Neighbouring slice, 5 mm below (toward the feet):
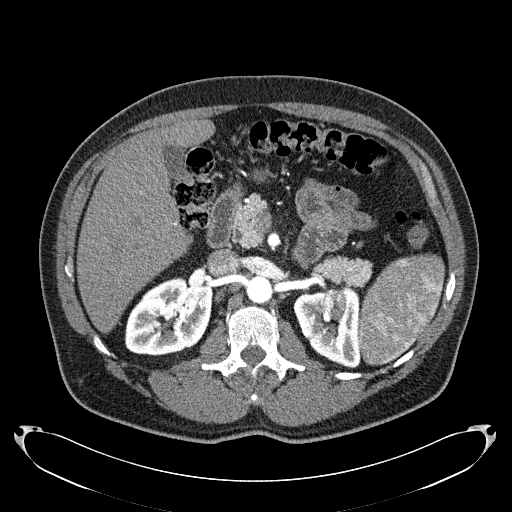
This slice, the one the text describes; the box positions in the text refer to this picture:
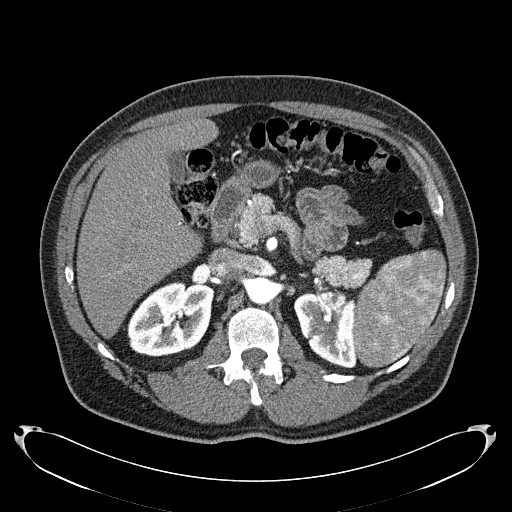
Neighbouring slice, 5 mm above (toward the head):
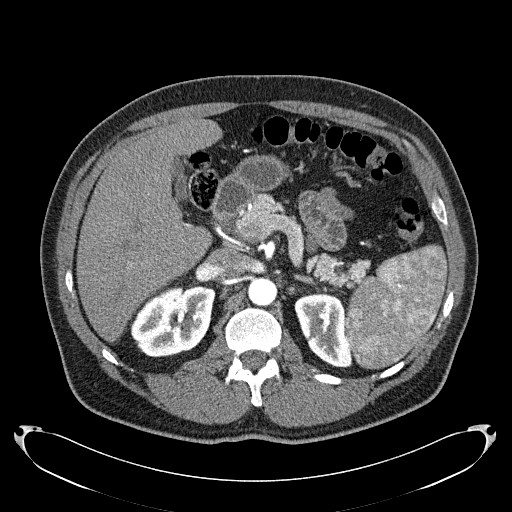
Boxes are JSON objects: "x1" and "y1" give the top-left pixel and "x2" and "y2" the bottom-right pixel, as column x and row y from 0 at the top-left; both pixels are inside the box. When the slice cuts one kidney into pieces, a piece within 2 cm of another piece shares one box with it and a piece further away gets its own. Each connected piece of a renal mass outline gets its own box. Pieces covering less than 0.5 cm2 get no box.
This is axial slice 144 of 279 (slice 1 is the lowest) of an arterial-phase abdominal CT with contrast; each pixel is 0.824 mm and the slice is 2.00 mm thick. Two kidney boxes and one renal mass box on this slice; by box centre, from the image's left to its right: (1) Right kidney, box {"x1": 127, "y1": 281, "x2": 213, "y2": 356} (outlined area 4,957 px, about 33.7 cm2). (2) Left kidney, box {"x1": 293, "y1": 291, "x2": 355, "y2": 368} (outlined area 3,474 px, about 23.6 cm2). (3) Left renal mass, box {"x1": 332, "y1": 290, "x2": 347, "y2": 304} (outlined area 183 px, about 1.2 cm2). This slice is near the end of the left renal mass toward the head, so the slices 5 mm below and 5 mm above it are shown as well; the boxes refer to this slice only.
Scan settings: 120 kVp, B31f reconstruction kernel.